Abdominal CT with intravenous contrast, axial plane, 120 kVp, kernel I41f. Slice 107/153 from the bottom of the scan; thickness 3.00 mm; pixel size 0.893 mm.
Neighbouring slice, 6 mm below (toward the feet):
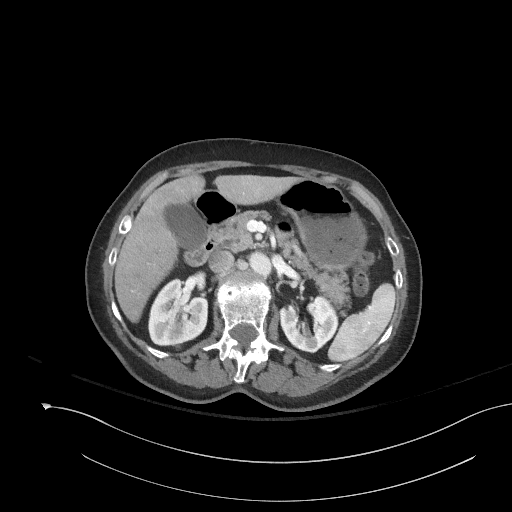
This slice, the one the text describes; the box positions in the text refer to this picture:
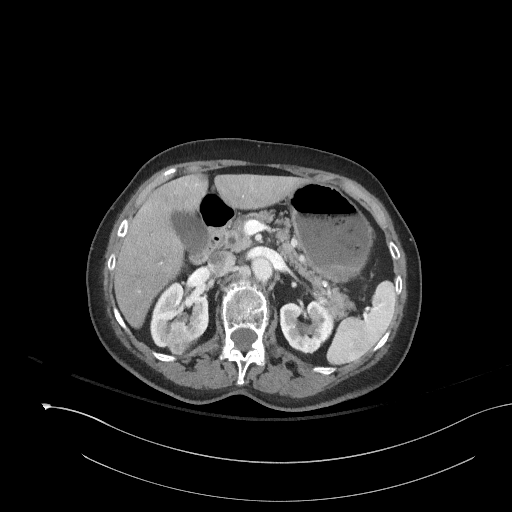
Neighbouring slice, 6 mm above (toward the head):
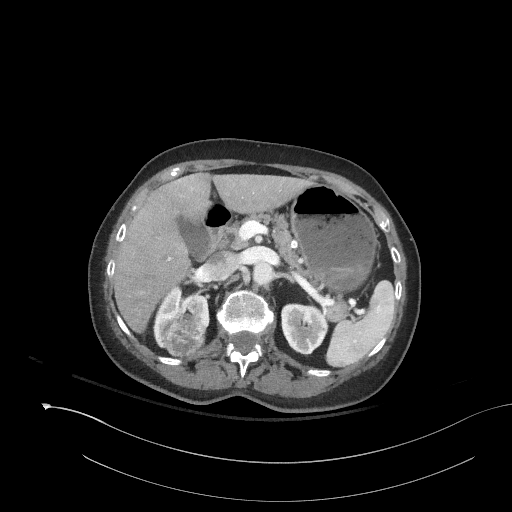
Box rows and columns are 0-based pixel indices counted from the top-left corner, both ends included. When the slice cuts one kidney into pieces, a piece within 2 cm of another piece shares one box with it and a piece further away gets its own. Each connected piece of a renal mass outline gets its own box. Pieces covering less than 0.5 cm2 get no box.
Boxed on this slice (two kidney boxes and one renal mass box), listed by box centre from the image's left to its right: (1) Right kidney at rows 282–346, columns 150–208 (outlined area 2,448 px, about 19.5 cm2). (2) Box rows 323–353, columns 166–194: right renal mass (outlined area 586 px, about 4.7 cm2). (3) Left kidney, box rows 301–354, columns 280–333 (outlined area 2,208 px, about 17.6 cm2). This slice lies near the end of the right renal mass toward the feet; the slices 6 mm below and 6 mm above it are shown too, and the boxes mark positions on this slice only.